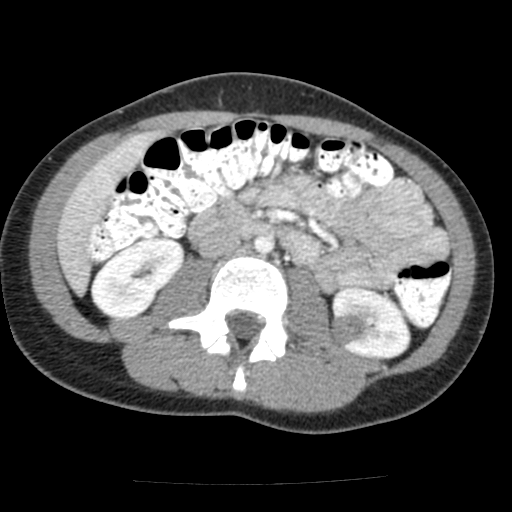
Axial slice 73 of 117 of a contrast-enhanced abdominal CT in the arterial phase (slice 1 is the lowest), 120 kVp, kernel FC12; 3.00 mm slice thickness and 0.518 mm pixels.
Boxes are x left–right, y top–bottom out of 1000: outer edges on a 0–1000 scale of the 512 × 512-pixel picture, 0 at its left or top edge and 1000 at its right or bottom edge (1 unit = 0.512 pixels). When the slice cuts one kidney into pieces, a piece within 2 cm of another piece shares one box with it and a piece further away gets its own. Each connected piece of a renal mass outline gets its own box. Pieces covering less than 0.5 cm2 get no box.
Three boxes on this slice (two kidney boxes and one renal mass box), listed by box centre from the image's left to its right. (1) Right kidney at x 176–361, y 463–625 out of 1000 (outlined area 5,194 px, about 13.9 cm2). (2) Box x 645–715, y 613–678 out of 1000: left renal mass (outlined area 861 px, about 2.3 cm2). (3) Left kidney, box x 646–805, y 559–705 out of 1000 (outlined area 3,788 px, about 10.2 cm2).